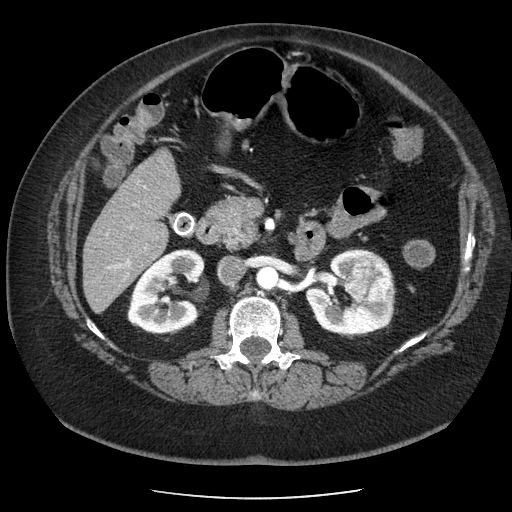
Abdominal CT with intravenous contrast, arterial phase, axial plane, 120 kVp, kernel STANDARD. Slice 125/186 from the bottom of the scan; thickness 2.50 mm; pixel size 0.742 mm.
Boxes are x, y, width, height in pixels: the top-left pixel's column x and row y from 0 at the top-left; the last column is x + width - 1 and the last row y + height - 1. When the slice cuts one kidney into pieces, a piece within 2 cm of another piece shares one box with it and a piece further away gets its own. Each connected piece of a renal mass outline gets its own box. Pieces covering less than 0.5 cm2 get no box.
Three boxes on this slice (two kidney boxes and one renal mass box), listed by box centre from the image's left to its right. (1) Right kidney at x 127, y 249, width 79, height 85 (outlined area 4,767 px, about 26.3 cm2). (2) Left kidney at x 306, y 248, width 90, height 87 (outlined area 4,233 px, about 23.3 cm2). (3) Box x 344, y 261, width 50, height 40: left renal mass (outlined area 1,623 px, about 8.9 cm2).